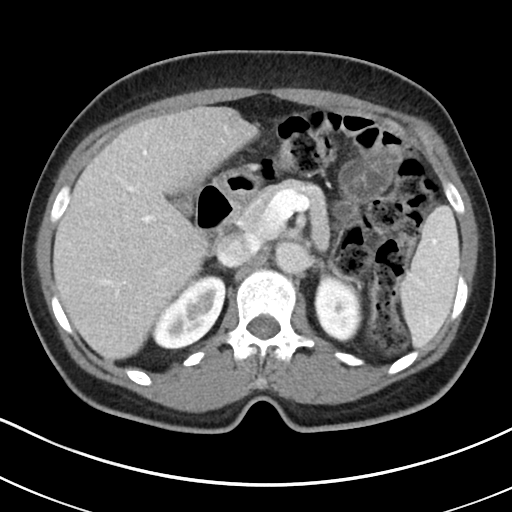
Axial slice 130 of 178 of a contrast-enhanced abdominal CT (slice 1 is the lowest), 100 kVp, kernel I30f; 5.00 mm slice thickness and 0.650 mm pixels.
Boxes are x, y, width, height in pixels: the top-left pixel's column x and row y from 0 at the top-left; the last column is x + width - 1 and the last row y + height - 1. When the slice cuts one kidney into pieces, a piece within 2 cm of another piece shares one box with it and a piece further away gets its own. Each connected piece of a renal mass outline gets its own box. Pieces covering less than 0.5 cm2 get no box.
Two boxes on this slice (two kidney boxes), listed by box centre from the image's left to its right. (1) Right kidney at x 152, y 274, width 74, height 76 (outlined area 3,535 px, about 15.0 cm2). (2) Left kidney at x 314, y 272, width 50, height 71 (outlined area 2,595 px, about 11.0 cm2). No renal mass outline on this slice.